One axial slice (8 of 38, counting up from the lowest) of a contrast-enhanced abdominal CT acquired with 100 kVp, kernel I30f; each pixel is 0.730 mm and the slice is 5.00 mm thick.
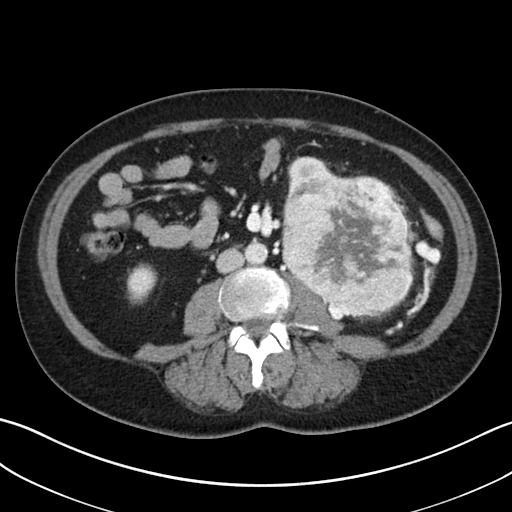
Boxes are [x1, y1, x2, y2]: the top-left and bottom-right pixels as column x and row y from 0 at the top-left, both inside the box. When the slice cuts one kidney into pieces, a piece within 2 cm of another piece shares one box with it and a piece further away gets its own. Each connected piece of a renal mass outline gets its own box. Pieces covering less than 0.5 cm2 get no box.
Boxed on this slice (two kidney boxes and one renal mass box), listed by box centre from the image's left to its right: (1) Box [126, 263, 157, 304]: right kidney (outlined area 972 px, about 5.2 cm2). (2) Box [287, 156, 336, 198]: left kidney (outlined area 983 px, about 5.2 cm2). (3) Left renal mass, box [282, 176, 412, 316] (outlined area 14,712 px, about 78.5 cm2).